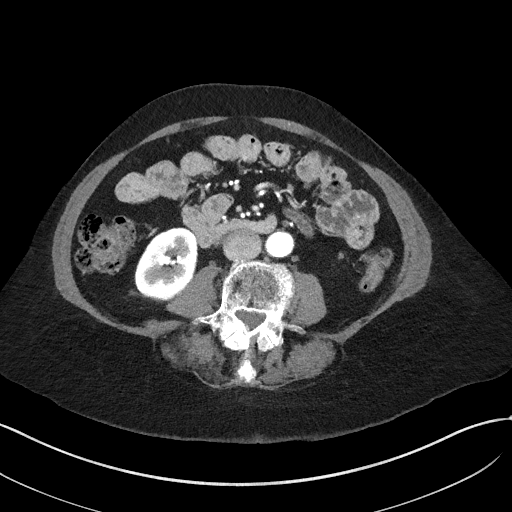
Axial slice 10 of 50 of a contrast-enhanced abdominal CT in the arterial phase (slice 1 is the lowest), 100 kVp, kernel I41f; 3.00 mm slice thickness and 0.758 mm pixels.
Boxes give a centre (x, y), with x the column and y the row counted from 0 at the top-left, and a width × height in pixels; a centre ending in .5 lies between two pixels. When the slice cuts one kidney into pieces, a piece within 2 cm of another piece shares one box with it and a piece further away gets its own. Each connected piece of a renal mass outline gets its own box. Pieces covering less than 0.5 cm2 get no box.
Right kidney, box centre (165, 263), 63 × 73 pixels (outlined area 3,459 px, about 19.9 cm2). This slice carries no renal mass outline.